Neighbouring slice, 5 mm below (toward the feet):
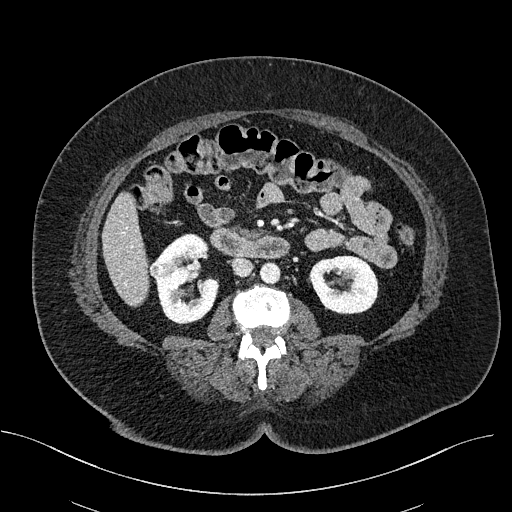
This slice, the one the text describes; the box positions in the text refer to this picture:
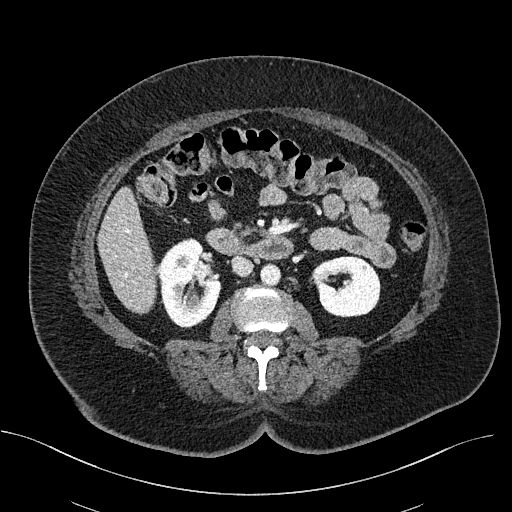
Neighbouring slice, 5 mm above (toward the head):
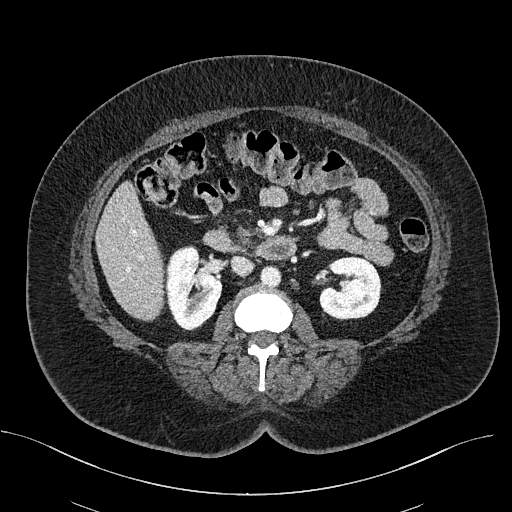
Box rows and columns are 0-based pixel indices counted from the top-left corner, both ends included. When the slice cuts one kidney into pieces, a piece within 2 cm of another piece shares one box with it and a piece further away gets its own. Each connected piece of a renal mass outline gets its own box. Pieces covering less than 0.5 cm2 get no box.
This is axial slice 286 of 470 (slice 1 is the lowest) of an abdominal CT with contrast; each pixel is 0.824 mm and the slice is 2.00 mm thick. Two kidney boxes and one renal mass box on this slice; by box centre, from the image's left to its right: (1) Right renal mass, box rows 265–273, columns 156–165 (outlined area 78 px, about 0.5 cm2). (2) Right kidney at rows 238–328, columns 156–221 (outlined area 4,118 px, about 28.0 cm2). (3) Box rows 254–317, columns 312–380: left kidney (outlined area 3,289 px, about 22.3 cm2). This slice lies near the end of the right renal mass toward the head; the slices 5 mm below and 5 mm above it are shown too, and the boxes mark positions on this slice only.
Tube voltage 100 kVp; convolution kernel I40f.